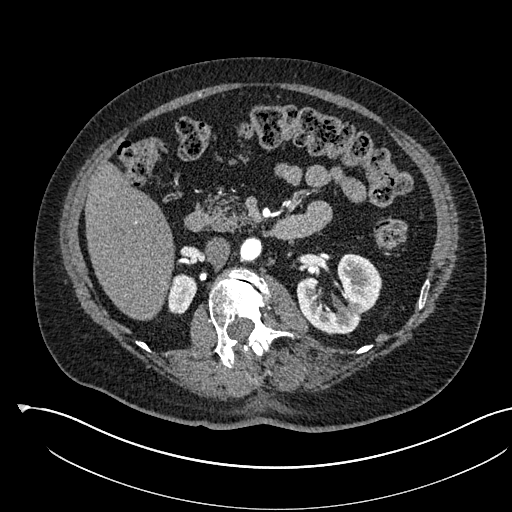
Abdominal CT with intravenous contrast, arterial phase, axial plane, 120 kVp, kernel I30f. Slice 333/541 from the bottom of the scan; thickness 1.00 mm; pixel size 0.834 mm.
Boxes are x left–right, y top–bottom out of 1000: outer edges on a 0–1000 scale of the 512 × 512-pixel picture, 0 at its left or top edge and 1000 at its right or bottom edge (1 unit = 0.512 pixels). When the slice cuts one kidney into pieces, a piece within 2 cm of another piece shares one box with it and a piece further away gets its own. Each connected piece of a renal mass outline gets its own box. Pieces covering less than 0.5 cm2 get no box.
Boxed on this slice (two kidney boxes), listed by box centre from the image's left to its right: (1) Box x 328–387, y 533–615 out of 1000: right kidney (outlined area 930 px, about 6.5 cm2). (2) Left kidney at x 578–748, y 494–654 out of 1000 (outlined area 4,420 px, about 30.7 cm2). No renal mass is outlined on this slice.